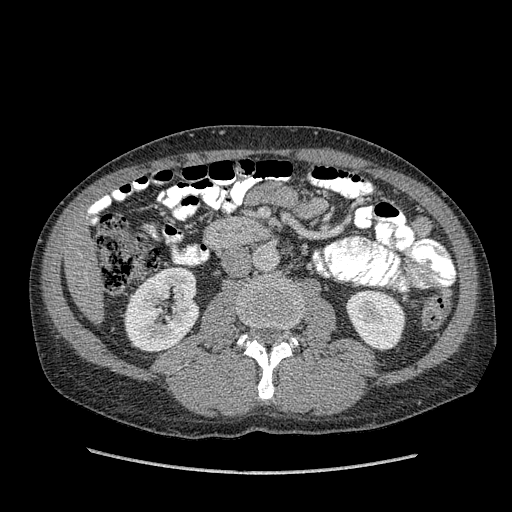
One axial slice (184 of 349, counting up from the lowest) of an arterial-phase abdominal CT acquired with 120 kVp, kernel STANDARD; each pixel is 0.742 mm and the slice is 1.25 mm thick.
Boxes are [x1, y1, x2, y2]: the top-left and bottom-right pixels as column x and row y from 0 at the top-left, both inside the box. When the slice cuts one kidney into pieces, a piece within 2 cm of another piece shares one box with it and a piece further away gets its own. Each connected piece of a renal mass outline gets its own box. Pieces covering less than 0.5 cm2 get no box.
Two kidney boxes on this slice; by box centre, from the image's left to its right: (1) Box [123, 266, 200, 353]: right kidney (outlined area 5,003 px, about 27.6 cm2). (2) Left kidney at [345, 289, 405, 350] (outlined area 2,795 px, about 15.4 cm2). No renal mass outline on this slice.